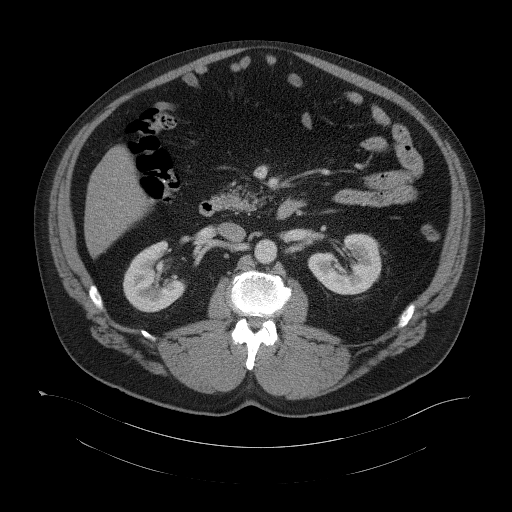
Abdominal CT with intravenous contrast, axial plane, 120 kVp, kernel B41f. Slice 67/104 from the bottom of the scan; thickness 5.00 mm; pixel size 0.977 mm.
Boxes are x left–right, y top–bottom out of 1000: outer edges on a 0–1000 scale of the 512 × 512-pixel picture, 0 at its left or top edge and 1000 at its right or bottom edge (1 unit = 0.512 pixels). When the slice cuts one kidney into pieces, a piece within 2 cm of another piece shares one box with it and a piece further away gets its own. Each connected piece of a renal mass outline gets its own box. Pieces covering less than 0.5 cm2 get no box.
Two boxes on this slice (two kidney boxes), listed by box centre from the image's left to its right. (1) Right kidney at x 240–361, y 469–611 out of 1000 (outlined area 2,931 px, about 28.0 cm2). (2) Left kidney, box x 600–746, y 455–576 out of 1000 (outlined area 3,216 px, about 30.7 cm2). No renal mass outline on this slice.